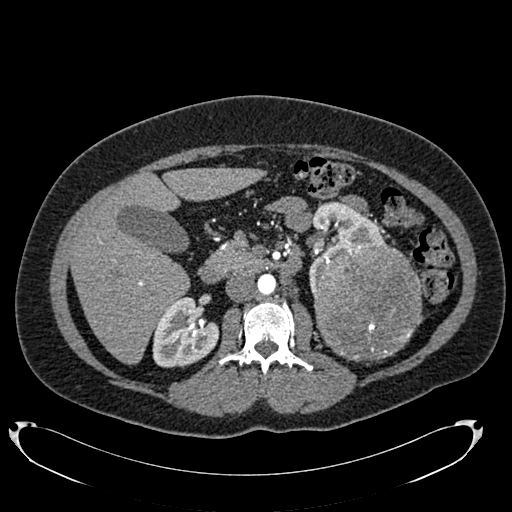
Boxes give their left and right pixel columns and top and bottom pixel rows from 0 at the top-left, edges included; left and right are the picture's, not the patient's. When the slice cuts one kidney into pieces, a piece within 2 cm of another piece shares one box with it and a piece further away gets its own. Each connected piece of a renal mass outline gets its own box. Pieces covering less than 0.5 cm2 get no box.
Arterial-phase contrast-enhanced abdominal CT, axial slice 434 of 634 (counted from the lowest slice); 1.00 mm thick, 0.838 mm per pixel. Boxed on this slice (two kidney boxes and one renal mass box), listed by box centre from the image's left to its right: (1) Right kidney, the box with left 152, top 297, right 219, bottom 367 (outlined area 3,470 px, about 24.4 cm2). (2) Box with left 309, top 201, right 385, bottom 292: left kidney (outlined area 2,875 px, about 20.2 cm2). (3) Left renal mass, the box with left 312, top 243, right 423, bottom 361 (outlined area 10,640 px, about 74.7 cm2).
Acquired at 120 kVp and reconstructed with the B20f kernel.